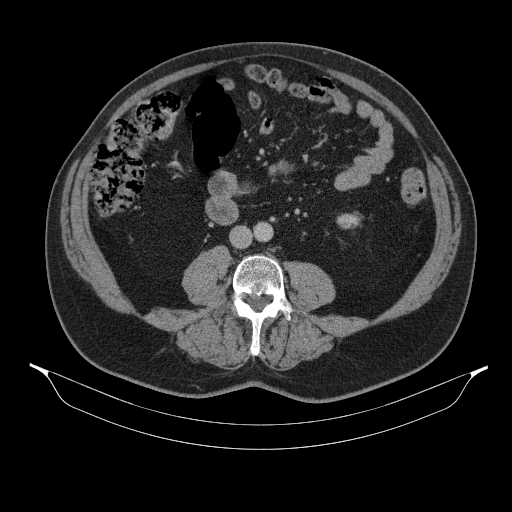
Abdominal CT with intravenous contrast, axial plane, 130 kVp, kernel B31s. Slice 159/314 from the bottom of the scan; thickness 2.50 mm; pixel size 0.934 mm.
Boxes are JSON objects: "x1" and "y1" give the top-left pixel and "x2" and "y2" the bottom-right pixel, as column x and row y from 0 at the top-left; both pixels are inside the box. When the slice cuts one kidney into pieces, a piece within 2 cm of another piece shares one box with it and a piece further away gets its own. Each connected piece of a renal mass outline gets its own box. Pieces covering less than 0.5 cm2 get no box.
Box {"x1": 336, "y1": 211, "x2": 362, "y2": 229}: left kidney (outlined area 347 px, about 3.0 cm2). No renal mass is outlined on this slice.